Abdominal CT with intravenous contrast, arterial phase, axial plane, 100 kVp, kernel I41f. Slice 91/129 from the bottom of the scan; thickness 3.00 mm; pixel size 0.779 mm.
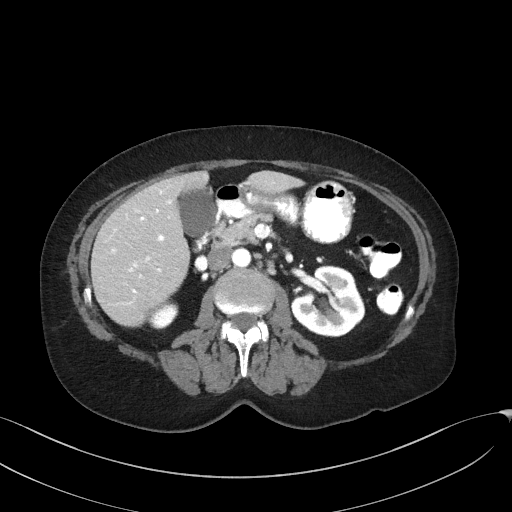
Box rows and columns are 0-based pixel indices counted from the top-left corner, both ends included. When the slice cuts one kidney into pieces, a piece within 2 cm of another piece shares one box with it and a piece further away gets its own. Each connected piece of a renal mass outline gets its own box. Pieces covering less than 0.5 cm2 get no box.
Two kidney boxes on this slice; by box centre, from the image's left to its right: (1) Right kidney at rows 300–329, columns 147–178 (outlined area 599 px, about 3.6 cm2). (2) Box rows 265–337, columns 290–365: left kidney (outlined area 3,967 px, about 24.1 cm2). This slice carries no renal mass outline.